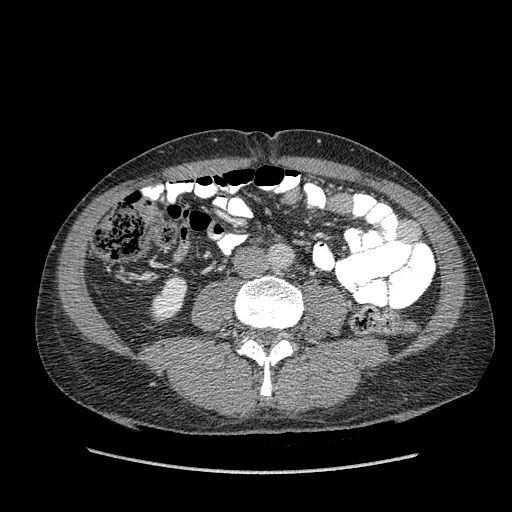
Arterial-phase contrast-enhanced abdominal CT, axial slice 158 of 349 (counted from the lowest slice); tube voltage 120 kVp, convolution kernel STANDARD; slices 1.25 mm thick, 0.742 mm per pixel.
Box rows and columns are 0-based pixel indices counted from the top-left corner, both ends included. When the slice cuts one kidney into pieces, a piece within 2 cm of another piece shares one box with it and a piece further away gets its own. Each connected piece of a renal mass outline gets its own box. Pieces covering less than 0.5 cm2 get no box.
Right kidney, box rows 276–322, columns 150–187 (outlined area 1,179 px, about 6.5 cm2). No renal mass is outlined on this slice.